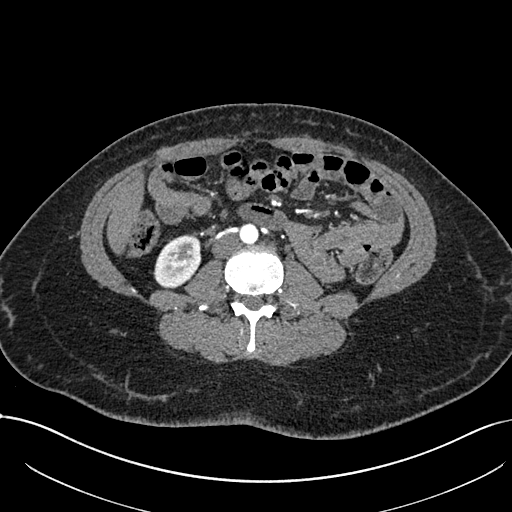
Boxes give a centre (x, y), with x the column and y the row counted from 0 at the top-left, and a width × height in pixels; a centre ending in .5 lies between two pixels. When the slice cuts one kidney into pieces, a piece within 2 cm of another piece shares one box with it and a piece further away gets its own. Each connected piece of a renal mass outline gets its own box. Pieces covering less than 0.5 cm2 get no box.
This is axial slice 327 of 738 (slice 1 is the lowest) of an arterial-phase abdominal CT with contrast; each pixel is 0.789 mm and the slice is 1.00 mm thick. Right kidney in a box with centre (177, 261), 49 × 55 pixels (outlined area 1,927 px, about 12.0 cm2). This slice carries no renal mass outline.
Scan settings: 120 kVp, I30f reconstruction kernel.